One axial slice (90 of 470, counting up from the lowest) of an arterial-phase abdominal CT acquired with 120 kVp, kernel I26f; each pixel is 0.938 mm and the slice is 1.00 mm thick.
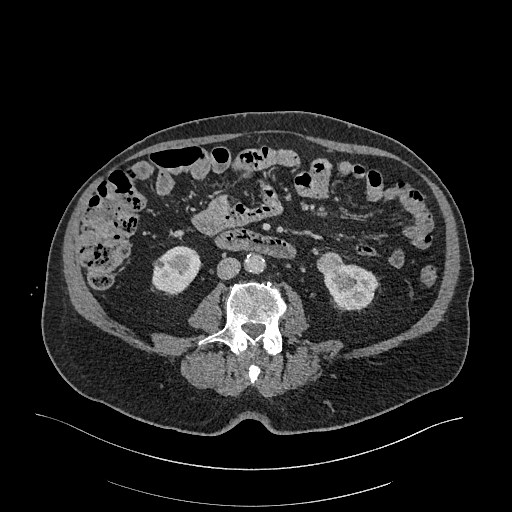
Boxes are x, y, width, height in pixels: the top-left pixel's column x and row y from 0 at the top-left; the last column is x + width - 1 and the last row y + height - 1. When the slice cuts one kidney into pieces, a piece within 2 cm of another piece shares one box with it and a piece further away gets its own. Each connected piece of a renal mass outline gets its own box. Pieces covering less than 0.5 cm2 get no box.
Two kidney boxes and one renal mass box on this slice; by box centre, from the image's left to its right: (1) Right kidney at x 152, y 245, width 50, height 50 (outlined area 1,814 px, about 15.9 cm2). (2) Left renal mass, box x 316, y 252, width 27, height 23 (outlined area 467 px, about 4.1 cm2). (3) Box x 323, y 262, width 55, height 49: left kidney (outlined area 1,874 px, about 16.5 cm2).